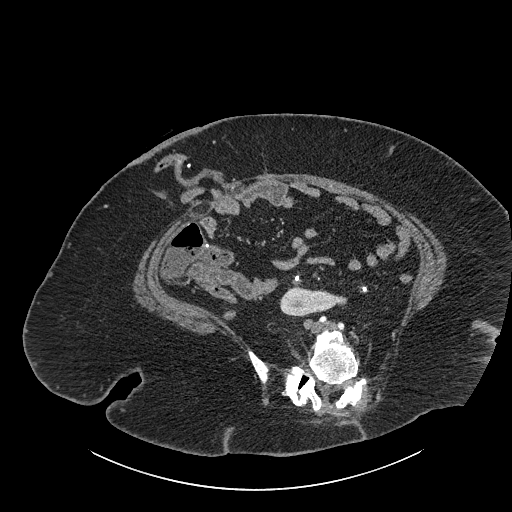
Contrast-enhanced abdominal CT, axial slice 395 of 834 (counted from the lowest slice); tube voltage 140 kVp, convolution kernel I30f; slices 1.00 mm thick, 0.977 mm per pixel.
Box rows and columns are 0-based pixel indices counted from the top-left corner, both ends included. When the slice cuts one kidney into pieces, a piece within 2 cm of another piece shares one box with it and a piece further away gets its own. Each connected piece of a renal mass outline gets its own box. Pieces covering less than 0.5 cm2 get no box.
Box rows 286–316, columns 279–346: right part of the midline-crossing kidney (outlined area 1,411 px, about 13.5 cm2). This slice carries no renal mass outline.